Arterial-phase contrast-enhanced abdominal CT, axial slice 107 of 157 (counted from the lowest slice); tube voltage 120 kVp, convolution kernel B30f; slices 3.00 mm thick, 0.742 mm per pixel.
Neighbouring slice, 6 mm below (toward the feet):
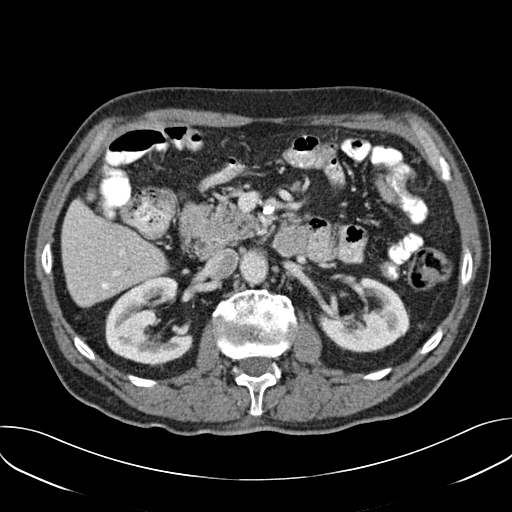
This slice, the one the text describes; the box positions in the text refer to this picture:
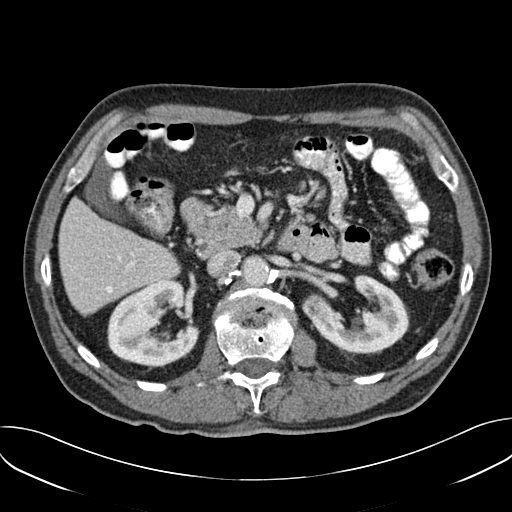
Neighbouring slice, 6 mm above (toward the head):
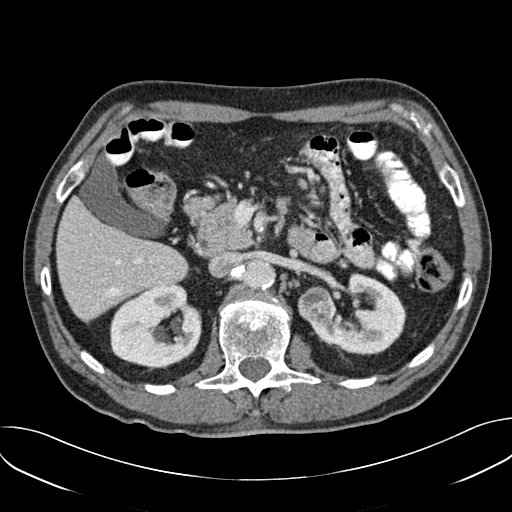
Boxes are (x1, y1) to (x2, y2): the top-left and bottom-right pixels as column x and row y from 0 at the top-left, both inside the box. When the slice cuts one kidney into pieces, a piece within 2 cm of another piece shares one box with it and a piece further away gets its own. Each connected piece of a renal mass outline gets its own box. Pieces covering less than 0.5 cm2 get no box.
Two kidney boxes and one renal mass box on this slice; by box centre, from the image's left to its right: (1) Box (107, 279) to (199, 370): right kidney (outlined area 5,788 px, about 31.9 cm2). (2) Left renal mass, box (308, 296) to (325, 312) (outlined area 249 px, about 1.4 cm2). (3) Left kidney from (302, 274) to (409, 353) (outlined area 4,856 px, about 26.7 cm2). This slice lies near the end of the left renal mass toward the feet; the slices 6 mm below and 6 mm above it are shown too, and the boxes mark positions on this slice only.